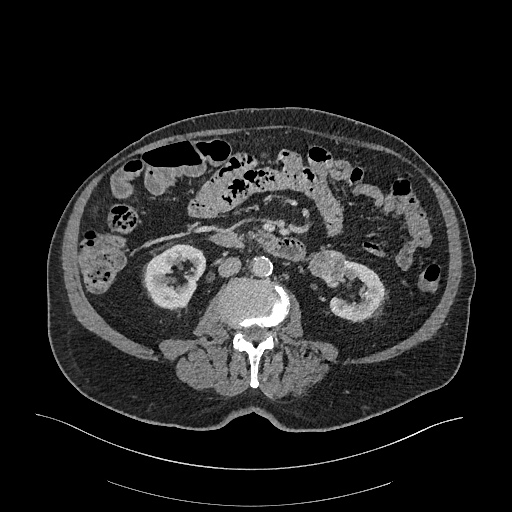
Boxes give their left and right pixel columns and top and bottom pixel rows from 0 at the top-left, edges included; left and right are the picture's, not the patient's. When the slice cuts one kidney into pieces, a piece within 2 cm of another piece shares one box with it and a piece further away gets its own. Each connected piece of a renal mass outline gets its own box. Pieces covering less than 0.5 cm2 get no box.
This is axial slice 119 of 470 (slice 1 is the lowest) of an arterial-phase abdominal CT with contrast; each pixel is 0.938 mm and the slice is 1.00 mm thick. Three boxes on this slice (two kidney boxes and one renal mass box), listed by box centre from the image's left to its right. (1) Box with left 142, top 244, right 206, bottom 310: right kidney (outlined area 2,927 px, about 25.7 cm2). (2) Box with left 307, top 249, right 345, bottom 287: left renal mass (outlined area 1,054 px, about 9.3 cm2). (3) Left kidney in the box with left 328, top 260, right 384, bottom 322 (outlined area 2,070 px, about 18.2 cm2).
Tube voltage 120 kVp; convolution kernel I26f.